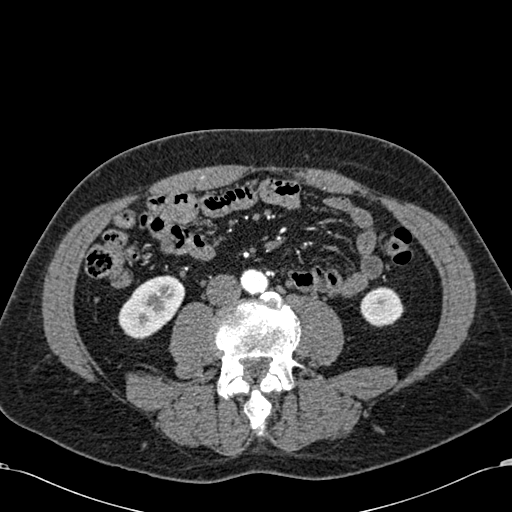
Abdominal CT with intravenous contrast, arterial phase, axial plane, 120 kVp, kernel B30f. Slice 223/581 from the bottom of the scan; thickness 1.00 mm; pixel size 0.713 mm.
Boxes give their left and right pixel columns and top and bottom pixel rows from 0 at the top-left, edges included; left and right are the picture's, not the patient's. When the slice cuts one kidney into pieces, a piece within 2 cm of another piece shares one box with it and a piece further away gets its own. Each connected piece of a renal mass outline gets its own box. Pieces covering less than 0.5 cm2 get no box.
Boxed on this slice (two kidney boxes), listed by box centre from the image's left to its right: (1) Box with left 118, top 275, right 185, bottom 339: right kidney (outlined area 2,906 px, about 14.8 cm2). (2) Left kidney in the box with left 360, top 286, right 404, bottom 327 (outlined area 1,359 px, about 6.9 cm2). This slice carries no renal mass outline.